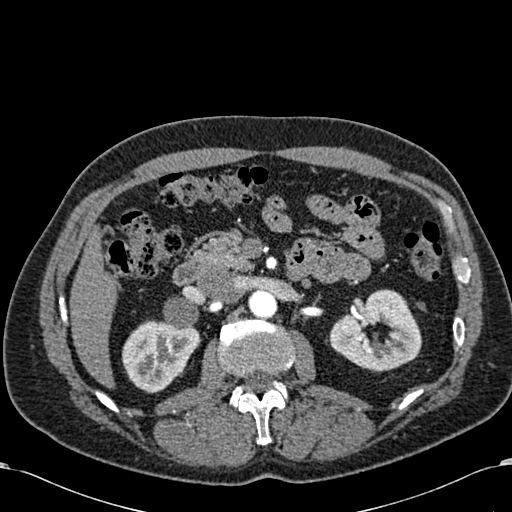
One axial slice (377 of 581, counting up from the lowest) of an arterial-phase abdominal CT acquired with 120 kVp, kernel B30f; each pixel is 0.713 mm and the slice is 1.00 mm thick.
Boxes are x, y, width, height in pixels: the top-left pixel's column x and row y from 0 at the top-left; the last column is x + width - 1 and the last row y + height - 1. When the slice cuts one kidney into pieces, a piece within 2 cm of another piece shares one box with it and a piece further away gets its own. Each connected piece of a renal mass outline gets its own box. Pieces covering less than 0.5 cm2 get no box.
Boxed on this slice (two kidney boxes), listed by box centre from the image's left to its right: (1) Right kidney at x 122, y 320, width 79, height 74 (outlined area 4,108 px, about 20.9 cm2). (2) Left kidney, box x 329, y 289, width 94, height 83 (outlined area 5,166 px, about 26.3 cm2). This slice carries no renal mass outline.